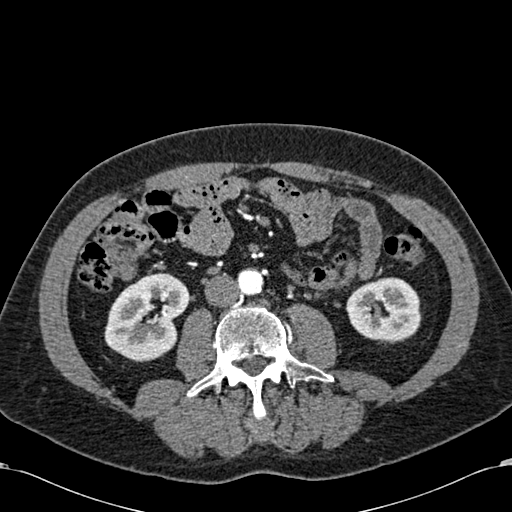
Axial slice 265 of 581 of a contrast-enhanced abdominal CT in the arterial phase (slice 1 is the lowest), 120 kVp, kernel B30f; 1.00 mm slice thickness and 0.713 mm pixels.
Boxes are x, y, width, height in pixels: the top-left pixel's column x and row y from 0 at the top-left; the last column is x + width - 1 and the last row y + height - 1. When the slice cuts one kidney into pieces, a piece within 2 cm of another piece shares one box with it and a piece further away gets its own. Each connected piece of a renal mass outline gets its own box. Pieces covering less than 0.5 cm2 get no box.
Boxed on this slice (two kidney boxes), listed by box centre from the image's left to its right: (1) Box x 104, y 272, width 87, height 90: right kidney (outlined area 5,406 px, about 27.5 cm2). (2) Box x 346, y 277, width 75, height 67: left kidney (outlined area 3,874 px, about 19.7 cm2). This slice carries no renal mass outline.